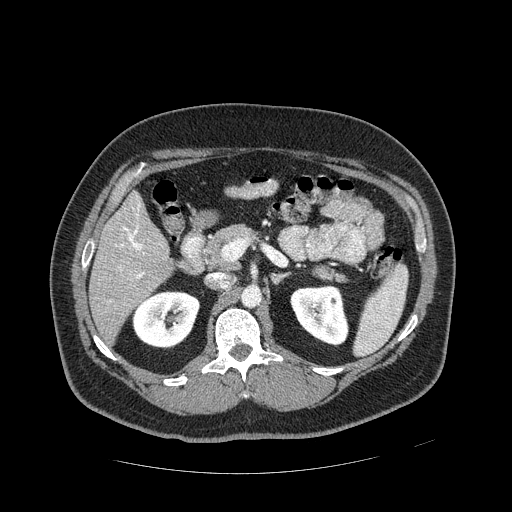
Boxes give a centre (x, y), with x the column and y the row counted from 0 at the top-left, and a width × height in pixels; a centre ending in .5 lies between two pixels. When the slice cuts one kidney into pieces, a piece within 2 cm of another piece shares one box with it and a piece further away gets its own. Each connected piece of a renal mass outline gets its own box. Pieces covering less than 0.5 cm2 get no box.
This is axial slice 274 of 389 (slice 1 is the lowest) of an arterial-phase abdominal CT with contrast; each pixel is 0.869 mm and the slice is 1.25 mm thick. Two kidney boxes on this slice; by box centre, from the image's left to its right: (1) Right kidney in a box with centre (166, 320), 69 × 59 pixels (outlined area 3,034 px, about 22.9 cm2). (2) Left kidney in a box with centre (319, 315.5), 59 × 62 pixels (outlined area 2,679 px, about 20.2 cm2). No renal mass is outlined on this slice.
Scan settings: 120 kVp, STANDARD reconstruction kernel.